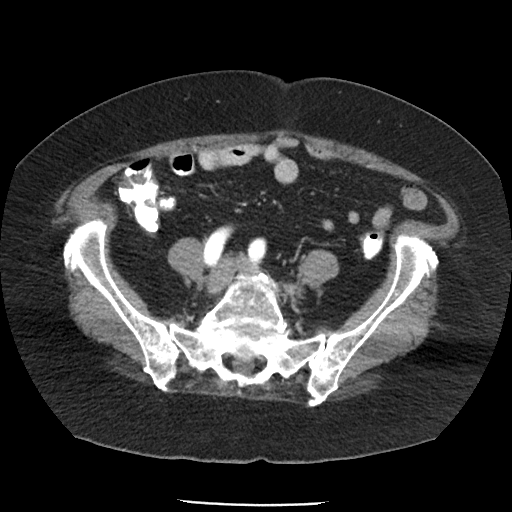
Slice 35/85 of a contrast-enhanced abdominal CT in the arterial phase, counting up from the lowest; pixel size 0.741 mm, slice thickness 5.00 mm. This slice carries no outline: it lies beyond the outlined kidneys and beyond every outlined renal mass. Other organs are not outlined in this scan.
Tube voltage 120 kVp; convolution kernel FC19.